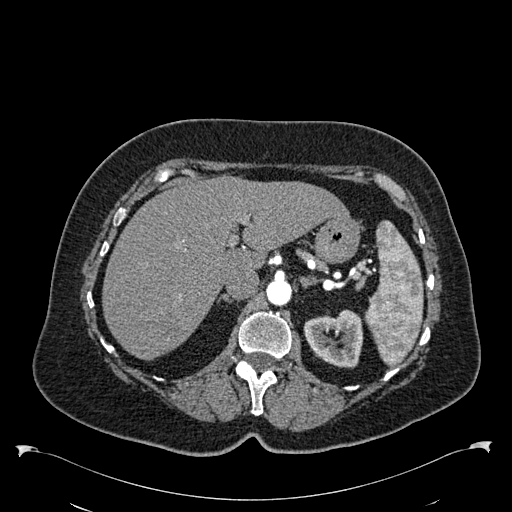
Abdominal CT with intravenous contrast, arterial phase, axial plane, 120 kVp, kernel B30f. Slice 407/538 from the bottom of the scan; thickness 1.00 mm; pixel size 0.811 mm.
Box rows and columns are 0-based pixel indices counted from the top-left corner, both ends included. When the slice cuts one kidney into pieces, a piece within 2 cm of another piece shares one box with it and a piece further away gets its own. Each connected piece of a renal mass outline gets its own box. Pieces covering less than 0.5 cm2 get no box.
Box rows 309–368, columns 303–363: left kidney (outlined area 2,544 px, about 16.7 cm2). No renal mass is outlined on this slice.